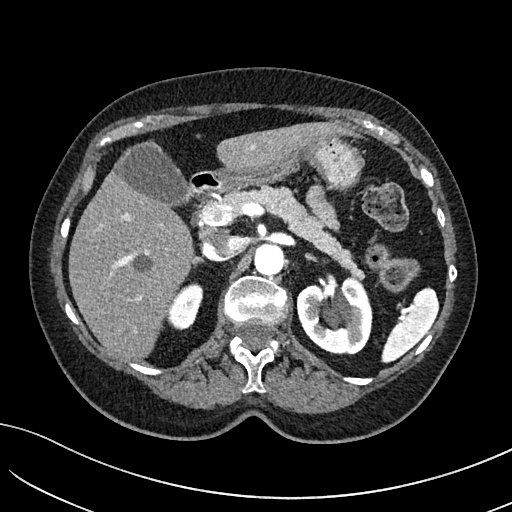
Axial slice 99 of 234 of a contrast-enhanced abdominal CT in the arterial phase (slice 1 is the lowest), 100 kVp, kernel I40f; 2.00 mm slice thickness and 0.699 mm pixels.
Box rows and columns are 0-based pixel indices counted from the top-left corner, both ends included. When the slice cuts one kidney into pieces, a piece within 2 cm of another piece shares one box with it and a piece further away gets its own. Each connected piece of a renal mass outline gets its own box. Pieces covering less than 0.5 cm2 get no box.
Two boxes on this slice (two kidney boxes), listed by box centre from the image's left to its right. (1) Box rows 283–328, columns 165–203: right kidney (outlined area 1,201 px, about 5.9 cm2). (2) Left kidney at rows 276–354, columns 296–372 (outlined area 4,620 px, about 22.6 cm2). No renal mass is outlined on this slice.